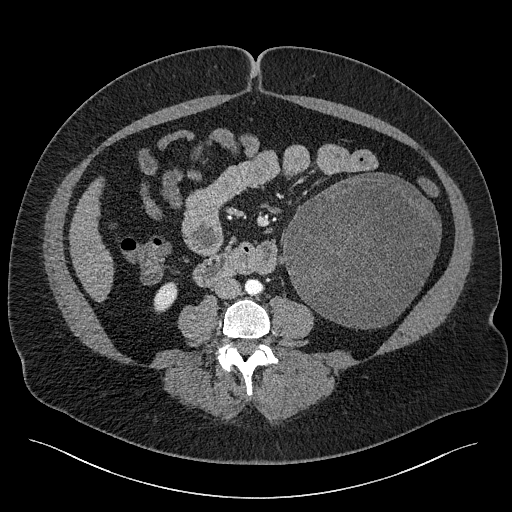
Contrast-enhanced abdominal CT, axial slice 83 of 301 (counted from the lowest slice); tube voltage 120 kVp, convolution kernel I40f; slices 2.00 mm thick, 0.859 mm per pixel.
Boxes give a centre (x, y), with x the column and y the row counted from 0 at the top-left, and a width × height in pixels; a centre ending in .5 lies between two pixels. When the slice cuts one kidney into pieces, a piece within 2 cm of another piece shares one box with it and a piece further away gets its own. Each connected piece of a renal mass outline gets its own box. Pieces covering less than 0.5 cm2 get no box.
Boxed on this slice (one kidney box and one renal mass box), listed by box centre from the image's left to its right: (1) Box centre (165, 297), 25 × 33 pixels: right kidney (outlined area 547 px, about 4.0 cm2). (2) Left renal mass, box centre (361.5, 250.5), 160 × 158 pixels (outlined area 18,652 px, about 137.7 cm2); on this slice it lies more than 1 cm from any kidney outline, but the same outlined renal mass comes within 1 cm of the kidney on another slice.